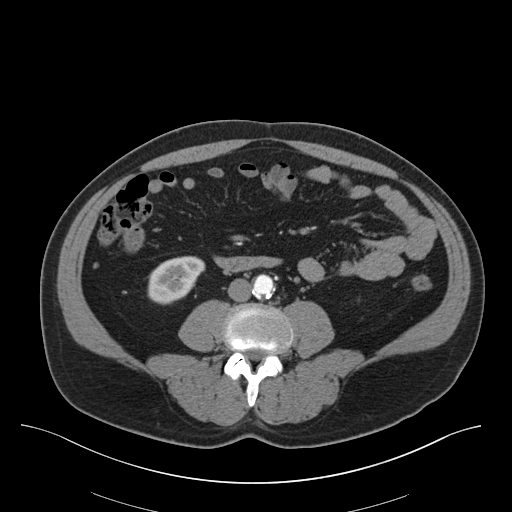
One axial slice (11 of 75, counting up from the lowest) of a contrast-enhanced abdominal CT acquired with 140 kVp, kernel B30f; each pixel is 0.875 mm and the slice is 3.00 mm thick.
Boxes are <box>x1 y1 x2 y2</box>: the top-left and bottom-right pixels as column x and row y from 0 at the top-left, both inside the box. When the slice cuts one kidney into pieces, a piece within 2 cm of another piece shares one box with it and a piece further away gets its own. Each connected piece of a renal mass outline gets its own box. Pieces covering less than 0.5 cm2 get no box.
Right kidney at <box>147 256 205 304</box> (outlined area 2,009 px, about 15.4 cm2). This slice carries no renal mass outline.